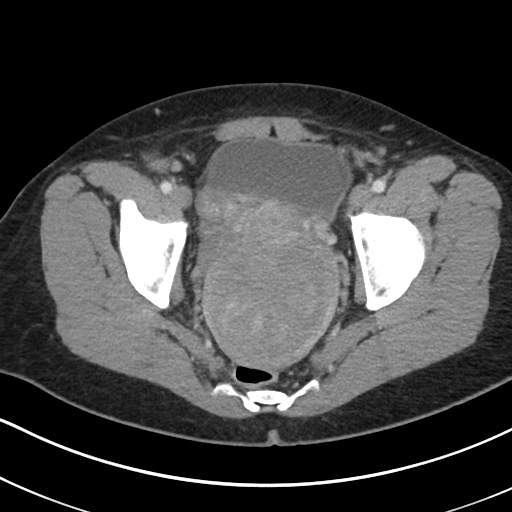
Slice 42/178 of a contrast-enhanced abdominal CT, counting up from the lowest; pixel size 0.650 mm, slice thickness 5.00 mm. No kidney and no renal mass is outlined on this slice; the outlines in this scan cover only the kidneys and the renal masses, so nothing is said about any other organ.
Scan settings: 100 kVp, I30f reconstruction kernel.